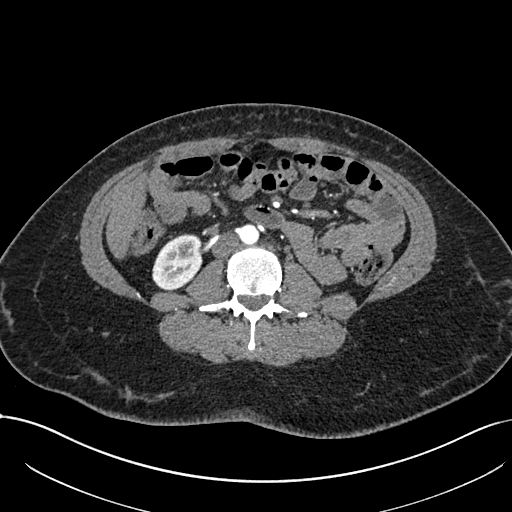
Abdominal CT with intravenous contrast, arterial phase, axial plane, 120 kVp, kernel I30f. Slice 332/738 from the bottom of the scan; thickness 1.00 mm; pixel size 0.789 mm.
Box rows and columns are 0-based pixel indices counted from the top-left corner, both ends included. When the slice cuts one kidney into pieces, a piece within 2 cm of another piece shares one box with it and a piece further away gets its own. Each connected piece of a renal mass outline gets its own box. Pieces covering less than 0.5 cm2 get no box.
Right kidney at rows 233–290, columns 152–202 (outlined area 2,176 px, about 13.5 cm2). No renal mass is outlined on this slice.